One axial slice (127 of 197, counting up from the lowest) of a contrast-enhanced abdominal CT acquired with 120 kVp, kernel I30f; each pixel is 0.791 mm and the slice is 5.00 mm thick.
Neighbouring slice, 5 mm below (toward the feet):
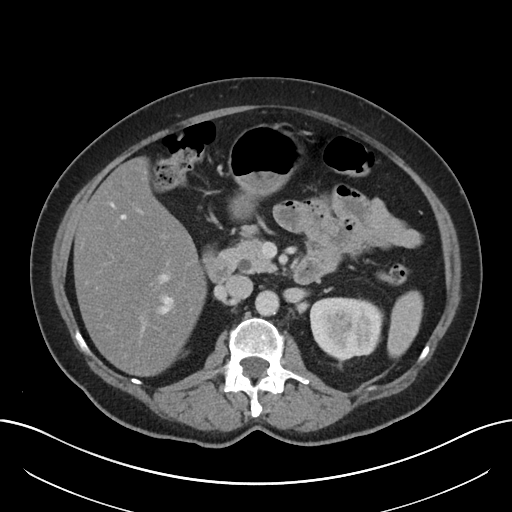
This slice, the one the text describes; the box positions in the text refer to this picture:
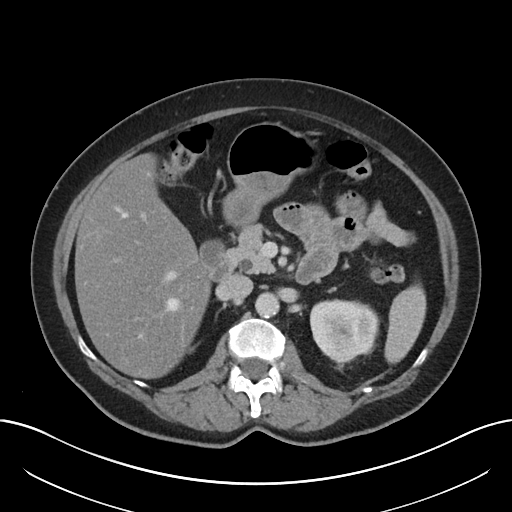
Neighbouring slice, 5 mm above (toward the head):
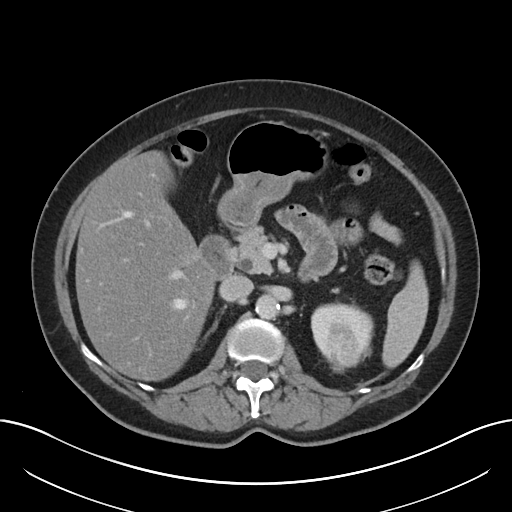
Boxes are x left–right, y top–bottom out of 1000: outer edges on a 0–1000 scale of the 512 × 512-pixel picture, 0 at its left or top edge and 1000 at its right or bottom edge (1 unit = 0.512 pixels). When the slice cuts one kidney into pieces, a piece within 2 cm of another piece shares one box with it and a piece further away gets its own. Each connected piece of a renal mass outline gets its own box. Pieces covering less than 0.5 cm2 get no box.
Two boxes on this slice (one kidney box and one renal mass box), listed by box centre from the image's left to its right. (1) Left renal mass at x 652–686, y 654–699 out of 1000 (outlined area 306 px, about 1.9 cm2). (2) Left kidney, box x 605–742, y 584–713 out of 1000 (outlined area 3,248 px, about 20.3 cm2). This slice is near the end of the left renal mass toward the feet, so the slices 5 mm below and 5 mm above it are shown as well; the boxes refer to this slice only.